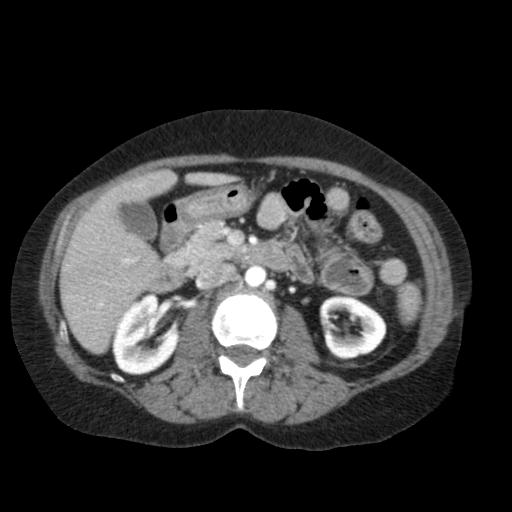
Abdominal CT with intravenous contrast, arterial phase, axial plane, 120 kVp, kernel FC11. Slice 57/79 from the bottom of the scan; thickness 5.00 mm; pixel size 0.686 mm.
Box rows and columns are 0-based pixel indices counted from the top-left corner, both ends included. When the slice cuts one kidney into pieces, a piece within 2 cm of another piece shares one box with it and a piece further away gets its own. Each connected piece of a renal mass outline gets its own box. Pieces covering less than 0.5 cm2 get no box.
Two kidney boxes on this slice; by box centre, from the image's left to its right: (1) Right kidney at rows 292–375, columns 110–179 (outlined area 3,910 px, about 18.4 cm2). (2) Box rows 295–359, columns 319–386: left kidney (outlined area 3,145 px, about 14.8 cm2). This slice carries no renal mass outline.